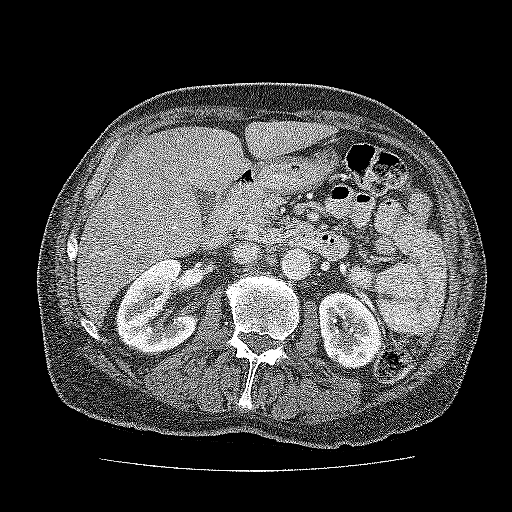
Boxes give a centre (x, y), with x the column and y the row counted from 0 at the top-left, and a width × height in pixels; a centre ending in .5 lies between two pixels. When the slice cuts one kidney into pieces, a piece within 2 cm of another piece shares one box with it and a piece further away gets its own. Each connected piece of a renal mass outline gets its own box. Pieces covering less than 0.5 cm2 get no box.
Slice 95/137 of a contrast-enhanced abdominal CT, counting up from the lowest; pixel size 0.741 mm, slice thickness 3.00 mm. Boxed on this slice (two kidney boxes), listed by box centre from the image's left to its right: (1) Box centre (156, 306.5), 83 × 96 pixels: kidney (outlined area 5,501 px, about 30.2 cm2). (2) Kidney, box centre (349.5, 330), 64 × 77 pixels (outlined area 3,717 px, about 20.4 cm2). No renal mass outline on this slice.
Scan settings: 120 kVp, FC52 reconstruction kernel.